Arterial-phase contrast-enhanced abdominal CT, axial slice 394 of 1059 (counted from the lowest slice); tube voltage 100 kVp, convolution kernel I30f; slices 1.00 mm thick, 0.811 mm per pixel.
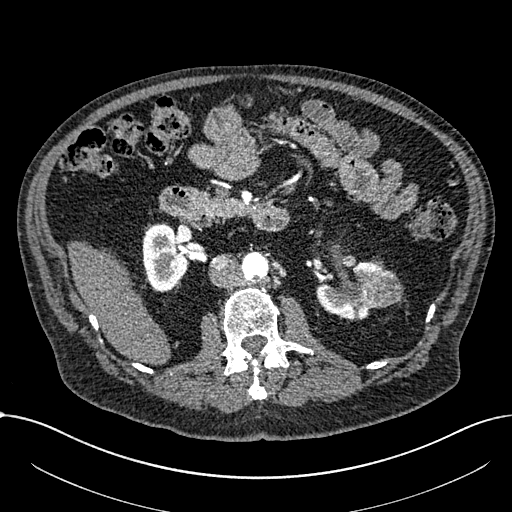
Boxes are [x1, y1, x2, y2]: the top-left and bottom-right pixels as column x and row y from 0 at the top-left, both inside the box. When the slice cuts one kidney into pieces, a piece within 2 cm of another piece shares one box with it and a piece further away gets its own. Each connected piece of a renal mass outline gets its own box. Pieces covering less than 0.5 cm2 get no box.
Boxed on this slice (two kidney boxes and one renal mass box), listed by box centre from the image's left to its right: (1) Right part of the midline-crossing kidney at [142, 223, 188, 291] (outlined area 2,418 px, about 15.9 cm2). (2) Left part of the midline-crossing kidney, box [316, 261, 384, 319] (outlined area 2,129 px, about 14.0 cm2). (3) Box [361, 269, 403, 307]: renal mass (outlined area 1,257 px, about 8.3 cm2).